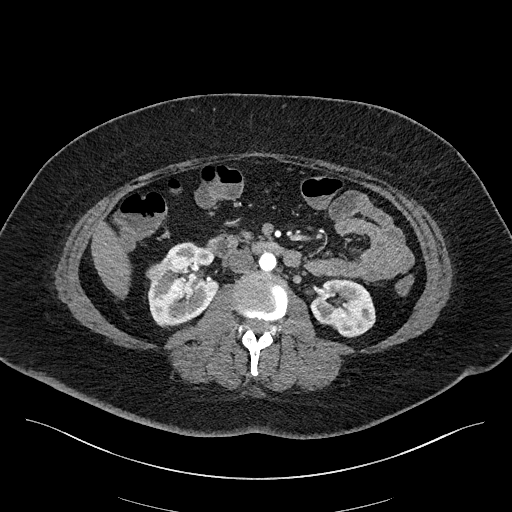
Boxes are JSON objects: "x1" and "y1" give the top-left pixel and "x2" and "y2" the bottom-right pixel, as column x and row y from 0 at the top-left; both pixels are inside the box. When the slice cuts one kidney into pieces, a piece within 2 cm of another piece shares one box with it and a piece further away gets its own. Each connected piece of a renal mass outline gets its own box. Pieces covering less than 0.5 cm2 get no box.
This is axial slice 91 of 270 (slice 1 is the lowest) of an arterial-phase abdominal CT with contrast; each pixel is 0.855 mm and the slice is 2.00 mm thick. Three boxes on this slice (two kidney boxes and one renal mass box), listed by box centre from the image's left to its right. (1) Right renal mass, box {"x1": 146, "y1": 264, "x2": 166, "y2": 281} (outlined area 279 px, about 2.0 cm2). (2) Right kidney, box {"x1": 148, "y1": 242, "x2": 218, "y2": 327} (outlined area 4,187 px, about 30.6 cm2). (3) Left kidney, box {"x1": 310, "y1": 279, "x2": 375, "y2": 337} (outlined area 2,828 px, about 20.7 cm2).
Scan settings: 100 kVp, I40f reconstruction kernel.